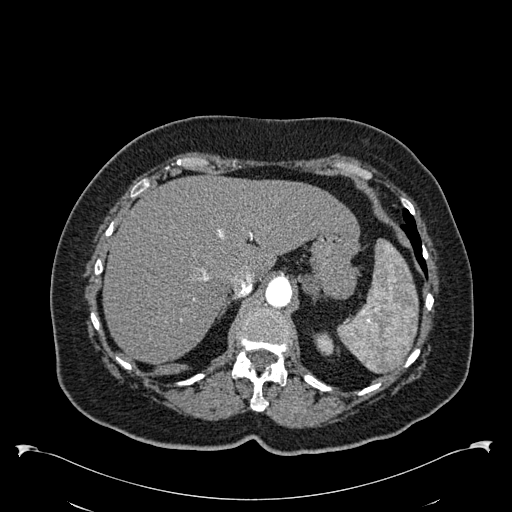
Arterial-phase contrast-enhanced abdominal CT, axial slice 450 of 538 (counted from the lowest slice); tube voltage 120 kVp, convolution kernel B30f; slices 1.00 mm thick, 0.811 mm per pixel.
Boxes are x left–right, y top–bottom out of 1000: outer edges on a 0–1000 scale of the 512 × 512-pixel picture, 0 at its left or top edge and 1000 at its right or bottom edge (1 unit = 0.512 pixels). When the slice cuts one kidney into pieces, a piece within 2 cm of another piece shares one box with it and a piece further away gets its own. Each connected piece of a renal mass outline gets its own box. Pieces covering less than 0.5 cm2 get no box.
Left kidney at x 611–654, y 648–695 out of 1000 (outlined area 365 px, about 2.4 cm2). This slice carries no renal mass outline.